Abdominal CT with intravenous contrast, arterial phase, axial plane, 120 kVp, kernel B31f. Slice 86/285 from the bottom of the scan; thickness 2.00 mm; pixel size 0.762 mm.
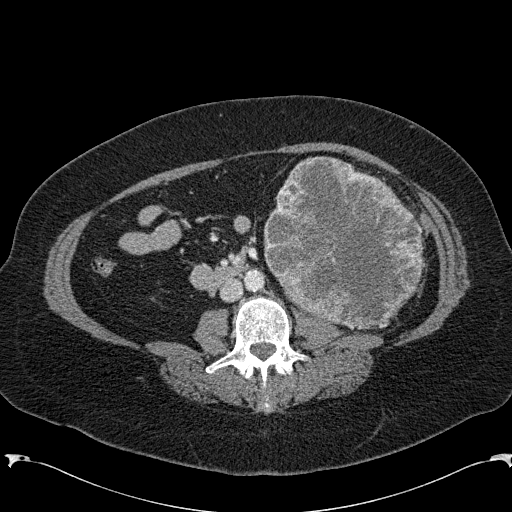
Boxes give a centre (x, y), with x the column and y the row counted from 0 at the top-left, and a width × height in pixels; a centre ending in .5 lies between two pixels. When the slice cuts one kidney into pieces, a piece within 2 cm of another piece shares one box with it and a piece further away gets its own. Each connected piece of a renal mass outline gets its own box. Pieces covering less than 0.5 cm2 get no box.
Left renal mass in a box with centre (343.5, 242.5), 162 × 174 pixels (outlined area 20,866 px, about 121.1 cm2); on this slice it lies more than 1 cm from any kidney outline, but the same outlined renal mass comes within 1 cm of the kidney on another slice.